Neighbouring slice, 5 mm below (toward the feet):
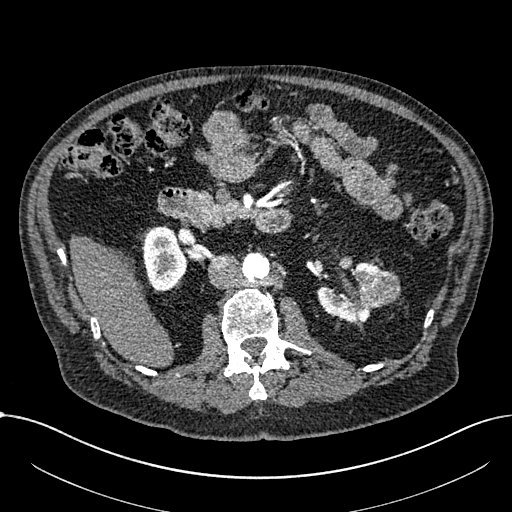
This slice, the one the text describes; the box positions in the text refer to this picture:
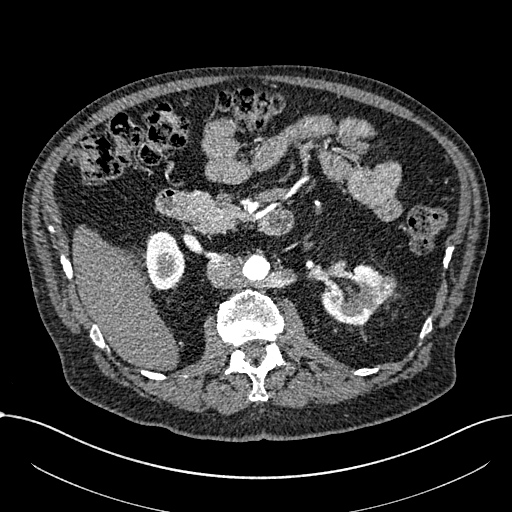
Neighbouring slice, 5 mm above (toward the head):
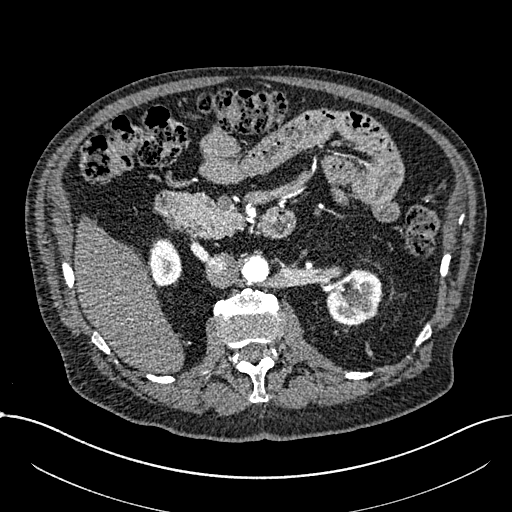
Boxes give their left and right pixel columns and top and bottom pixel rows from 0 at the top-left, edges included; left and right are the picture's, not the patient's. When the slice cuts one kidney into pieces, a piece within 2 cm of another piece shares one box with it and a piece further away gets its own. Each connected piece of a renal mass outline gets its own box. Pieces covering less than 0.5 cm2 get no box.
Arterial-phase contrast-enhanced abdominal CT, axial slice 410 of 1059 (counted from the lowest slice); 1.00 mm thick, 0.811 mm per pixel. Two kidney boxes and one renal mass box on this slice; by box centre, from the image's left to its right: (1) Right part of the midline-crossing kidney, the box with left 146, top 231, right 185, bottom 290 (outlined area 1,818 px, about 11.9 cm2). (2) Left part of the midline-crossing kidney in the box with left 321, top 263, right 384, bottom 325 (outlined area 2,547 px, about 16.7 cm2). (3) Box with left 375, top 276, right 396, bottom 304: renal mass (outlined area 409 px, about 2.7 cm2). This slice lies near the end of a renal mass toward the head; the slices 5 mm below and 5 mm above it are shown too, and the boxes mark positions on this slice only.
Acquired at 100 kVp and reconstructed with the I30f kernel.